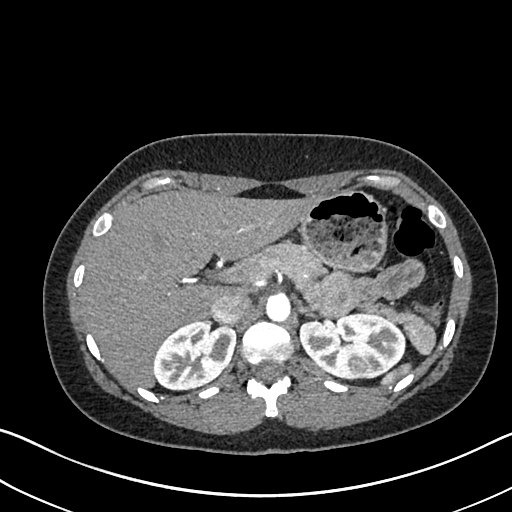
Arterial-phase contrast-enhanced abdominal CT, axial slice 490 of 612 (counted from the lowest slice); tube voltage 120 kVp, convolution kernel I30f; slices 1.00 mm thick, 0.703 mm per pixel.
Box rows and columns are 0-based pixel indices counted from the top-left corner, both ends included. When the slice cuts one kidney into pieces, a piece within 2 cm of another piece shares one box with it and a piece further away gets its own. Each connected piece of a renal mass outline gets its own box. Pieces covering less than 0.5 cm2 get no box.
Two kidney boxes on this slice; by box centre, from the image's left to its right: (1) Right kidney, box rows 319–389, columns 153–236 (outlined area 4,288 px, about 21.2 cm2). (2) Left kidney, box rows 311–380, columns 299–405 (outlined area 5,573 px, about 27.6 cm2).